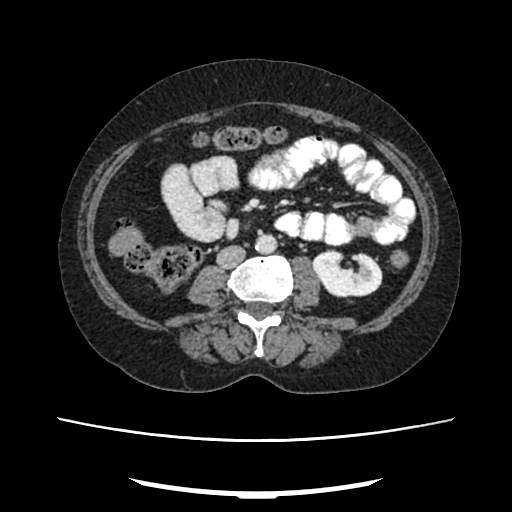
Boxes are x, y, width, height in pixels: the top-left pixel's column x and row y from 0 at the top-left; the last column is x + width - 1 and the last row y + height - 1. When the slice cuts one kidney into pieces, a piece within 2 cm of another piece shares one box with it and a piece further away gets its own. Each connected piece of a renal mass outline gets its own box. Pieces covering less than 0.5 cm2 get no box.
Slice 115/207 of a contrast-enhanced abdominal CT in the arterial phase, counting up from the lowest; pixel size 0.741 mm, slice thickness 2.00 mm. Box x 312, y 248, width 71, height 50: left kidney (outlined area 2,549 px, about 14.0 cm2). No renal mass is outlined on this slice.
Scan settings: 120 kVp, FC18 reconstruction kernel.